One axial slice (299 of 723, counting up from the lowest) of an arterial-phase abdominal CT acquired with 120 kVp, kernel B30f; each pixel is 0.895 mm and the slice is 1.00 mm thick.
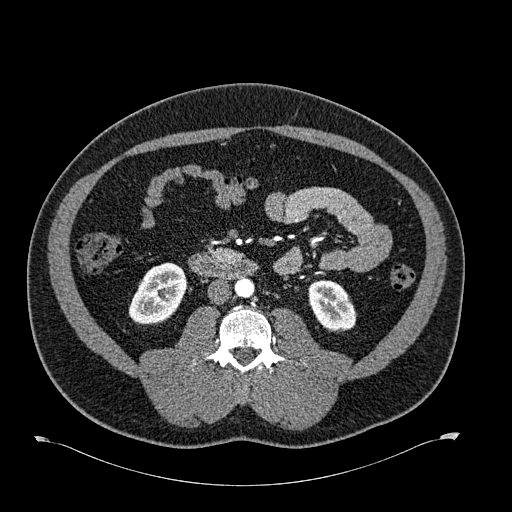
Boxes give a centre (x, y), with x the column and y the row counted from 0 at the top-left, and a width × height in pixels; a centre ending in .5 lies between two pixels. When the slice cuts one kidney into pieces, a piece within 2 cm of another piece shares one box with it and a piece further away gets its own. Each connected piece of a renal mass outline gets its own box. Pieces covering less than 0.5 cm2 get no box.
Two kidney boxes on this slice; by box centre, from the image's left to its right: (1) Box centre (157.5, 293), 60 × 63 pixels: right kidney (outlined area 2,638 px, about 21.1 cm2). (2) Left kidney in a box with centre (332, 306), 49 × 53 pixels (outlined area 1,891 px, about 15.1 cm2). This slice carries no renal mass outline.